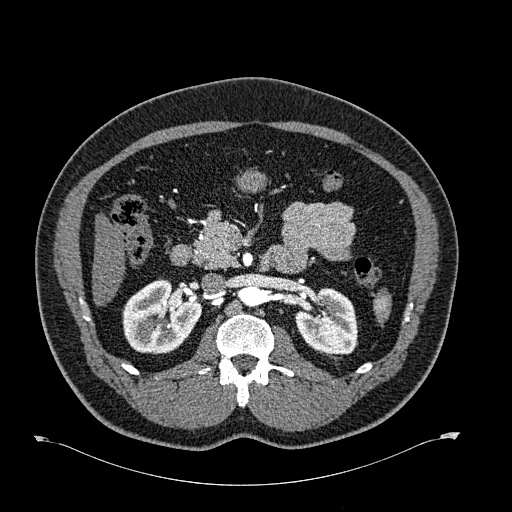
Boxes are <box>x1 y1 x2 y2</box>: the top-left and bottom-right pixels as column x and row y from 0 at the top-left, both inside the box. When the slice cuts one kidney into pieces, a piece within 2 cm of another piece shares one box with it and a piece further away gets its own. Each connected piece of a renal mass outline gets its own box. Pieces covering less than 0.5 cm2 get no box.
Slice 390/723 of a contrast-enhanced abdominal CT in the arterial phase, counting up from the lowest; pixel size 0.895 mm, slice thickness 1.00 mm. Two kidney boxes on this slice; by box centre, from the image's left to its right: (1) Right kidney at <box>122 279 201 354</box> (outlined area 4,383 px, about 35.1 cm2). (2) At <box>295 287 357 354</box>: left kidney (outlined area 3,186 px, about 25.5 cm2). No renal mass is outlined on this slice.
Tube voltage 120 kVp; convolution kernel B30f.